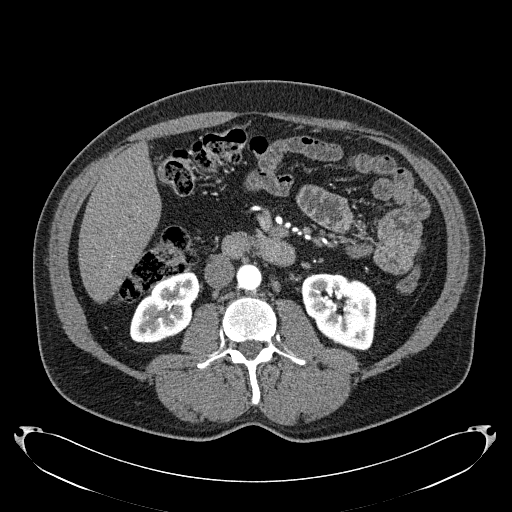
Arterial-phase contrast-enhanced abdominal CT, axial slice 99 of 279 (counted from the lowest slice); tube voltage 120 kVp, convolution kernel B31f; slices 2.00 mm thick, 0.824 mm per pixel.
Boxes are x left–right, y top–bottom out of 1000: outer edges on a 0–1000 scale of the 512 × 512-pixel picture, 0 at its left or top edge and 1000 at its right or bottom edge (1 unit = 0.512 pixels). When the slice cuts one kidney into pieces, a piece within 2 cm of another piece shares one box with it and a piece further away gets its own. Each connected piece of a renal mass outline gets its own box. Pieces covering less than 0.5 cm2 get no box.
Two kidney boxes on this slice; by box centre, from the image's left to its right: (1) Right kidney, box x 254–391, y 527–672 out of 1000 (outlined area 3,389 px, about 23.0 cm2). (2) Box x 586–736, y 533–686 out of 1000: left kidney (outlined area 4,436 px, about 30.1 cm2). No renal mass is outlined on this slice.